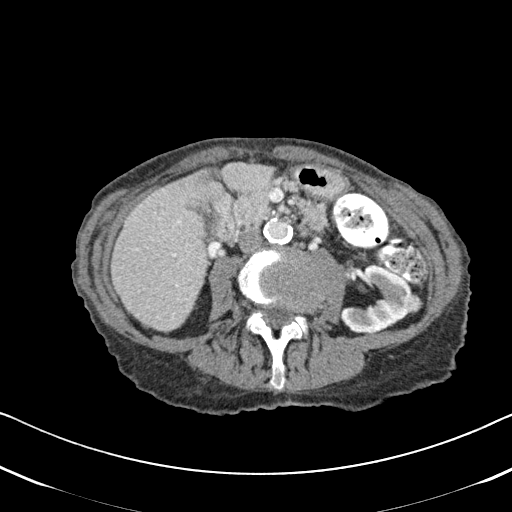
Axial slice 275 of 620 of a contrast-enhanced abdominal CT in the arterial phase (slice 1 is the lowest), 120 kVp, kernel B31f; 2.00 mm slice thickness and 0.637 mm pixels.
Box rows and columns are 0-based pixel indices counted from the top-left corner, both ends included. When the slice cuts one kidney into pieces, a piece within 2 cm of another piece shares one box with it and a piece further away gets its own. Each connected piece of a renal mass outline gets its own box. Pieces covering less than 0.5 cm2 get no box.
One kidney box and one renal mass box on this slice; by box centre, from the image's left to its right: (1) Left kidney at rows 263–333, columns 340–414 (outlined area 2,989 px, about 12.1 cm2). (2) Box rows 294–313, columns 402–422: left renal mass (outlined area 306 px, about 1.2 cm2).